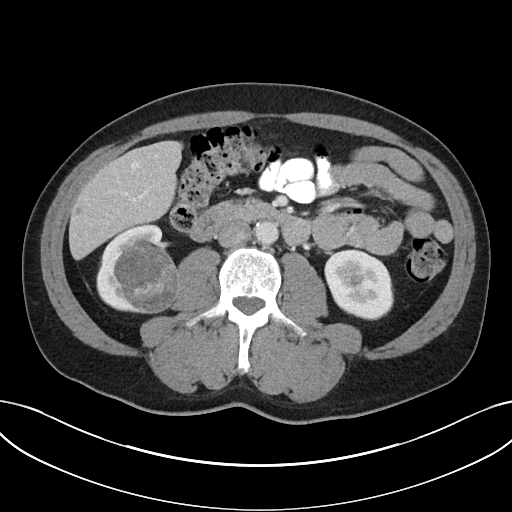
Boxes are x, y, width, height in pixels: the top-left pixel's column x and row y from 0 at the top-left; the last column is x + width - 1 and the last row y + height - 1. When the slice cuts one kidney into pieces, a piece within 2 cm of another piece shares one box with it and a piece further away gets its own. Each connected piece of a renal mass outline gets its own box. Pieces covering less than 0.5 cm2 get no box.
Arterial-phase contrast-enhanced abdominal CT, axial slice 10 of 32 (counted from the lowest slice); 5.00 mm thick, 0.779 mm per pixel. Three boxes on this slice (two kidney boxes and one renal mass box), listed by box centre from the image's left to its right. (1) Right kidney, box x 96, y 222, width 68, height 91 (outlined area 2,145 px, about 13.0 cm2). (2) Right renal mass, box x 114, y 240, width 66, height 74 (outlined area 3,665 px, about 22.3 cm2). (3) Box x 324, y 249, width 70, height 72: left kidney (outlined area 3,845 px, about 23.4 cm2).
Tube voltage 100 kVp; convolution kernel I40f.